One axial slice (471 of 834, counting up from the lowest) of a contrast-enhanced abdominal CT acquired with 140 kVp, kernel I30f; each pixel is 0.977 mm and the slice is 1.00 mm thick.
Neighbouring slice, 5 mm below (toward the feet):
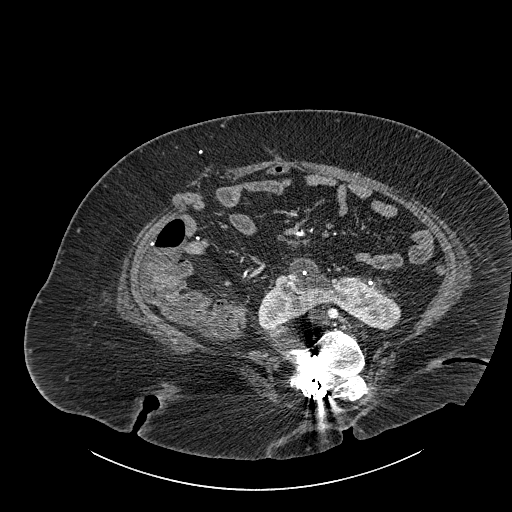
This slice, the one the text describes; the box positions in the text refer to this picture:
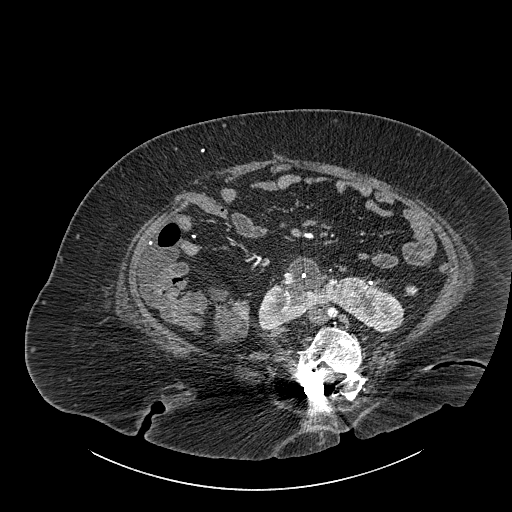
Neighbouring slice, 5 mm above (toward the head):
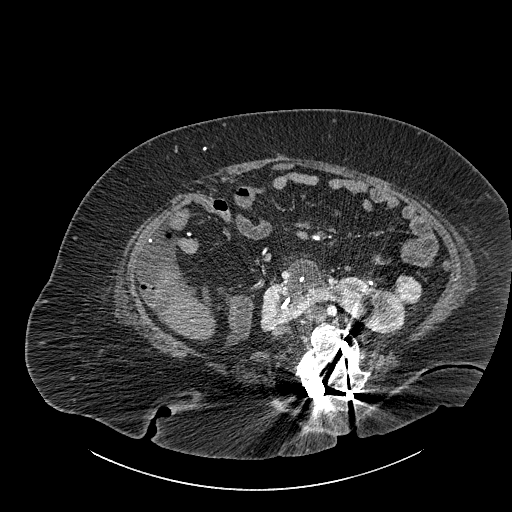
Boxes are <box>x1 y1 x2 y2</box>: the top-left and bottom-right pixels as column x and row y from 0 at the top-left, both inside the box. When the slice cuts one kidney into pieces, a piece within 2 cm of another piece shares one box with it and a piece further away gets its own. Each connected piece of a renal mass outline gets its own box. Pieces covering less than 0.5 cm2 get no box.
Boxed on this slice (one kidney box and one renal mass box), listed by box centre from the image's left to its right: (1) Kidney crossing the body midline at <box>257 256 405 333</box> (outlined area 5,814 px, about 55.4 cm2). (2) Renal mass: <box>404 285 418 296</box> (outlined area 129 px, about 1.2 cm2). This slice lies near the end of a renal mass toward the feet; the slices 5 mm below and 5 mm above it are shown too, and the boxes mark positions on this slice only.